Arterial-phase contrast-enhanced abdominal CT, axial slice 458 of 723 (counted from the lowest slice); tube voltage 120 kVp, convolution kernel B30f; slices 1.00 mm thick, 0.895 mm per pixel.
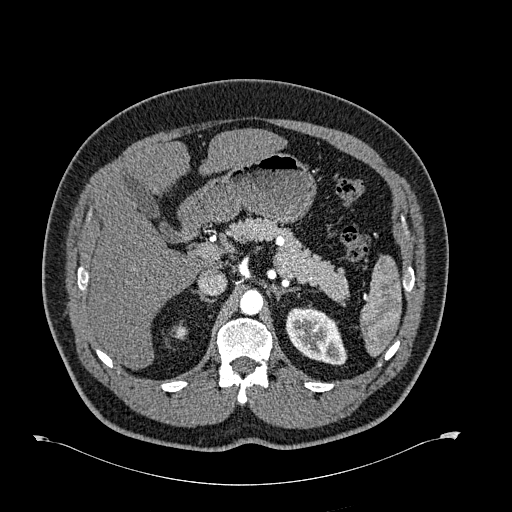
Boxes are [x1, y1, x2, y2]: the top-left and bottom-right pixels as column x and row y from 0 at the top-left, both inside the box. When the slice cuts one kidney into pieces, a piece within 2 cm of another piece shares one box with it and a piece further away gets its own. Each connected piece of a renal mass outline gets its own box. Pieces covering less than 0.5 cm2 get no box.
Two kidney boxes on this slice; by box centre, from the image's left to its right: (1) Right kidney at [171, 325, 186, 338] (outlined area 170 px, about 1.4 cm2). (2) Left kidney at [285, 307, 347, 365] (outlined area 2,569 px, about 20.6 cm2). This slice carries no renal mass outline.